Axial slice 61 of 103 of a contrast-enhanced abdominal CT (slice 1 is the lowest), 120 kVp, kernel FC18; 3.00 mm slice thickness and 0.714 mm pixels.
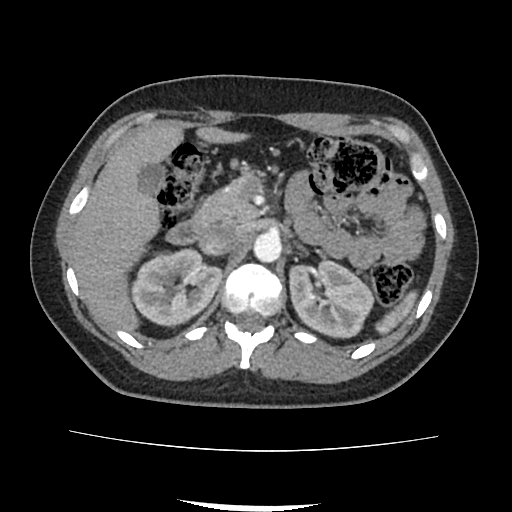
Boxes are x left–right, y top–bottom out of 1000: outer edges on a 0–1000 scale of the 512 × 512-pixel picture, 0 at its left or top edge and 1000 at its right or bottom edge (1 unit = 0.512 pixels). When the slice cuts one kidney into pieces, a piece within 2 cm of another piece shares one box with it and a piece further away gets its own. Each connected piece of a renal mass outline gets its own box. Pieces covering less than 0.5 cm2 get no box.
Two kidney boxes on this slice; by box centre, from the image's left to its right: (1) Right kidney at x 252–438, y 482–641 out of 1000 (outlined area 5,244 px, about 26.7 cm2). (2) Left kidney, box x 563–730, y 506–662 out of 1000 (outlined area 5,052 px, about 25.8 cm2). No renal mass is outlined on this slice.